One axial slice (133 of 279, counting up from the lowest) of an arterial-phase abdominal CT acquired with 120 kVp, kernel B31f; each pixel is 0.824 mm and the slice is 2.00 mm thick.
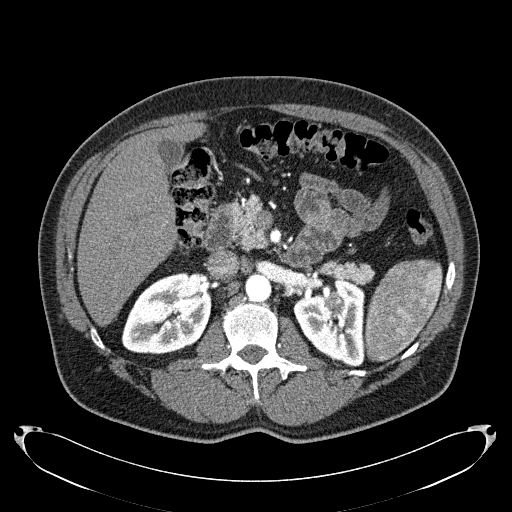
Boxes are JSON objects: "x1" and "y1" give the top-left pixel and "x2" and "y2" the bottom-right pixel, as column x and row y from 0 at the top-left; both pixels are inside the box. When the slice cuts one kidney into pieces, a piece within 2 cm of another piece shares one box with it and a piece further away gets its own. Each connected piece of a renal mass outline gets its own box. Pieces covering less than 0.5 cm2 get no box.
Two kidney boxes and one renal mass box on this slice; by box centre, from the image's left to its right: (1) Right kidney, box {"x1": 121, "y1": 272, "x2": 211, "y2": 354} (outlined area 5,526 px, about 37.5 cm2). (2) Left kidney, box {"x1": 293, "y1": 278, "x2": 365, "y2": 366} (outlined area 4,227 px, about 28.7 cm2). (3) Left renal mass, box {"x1": 324, "y1": 291, "x2": 344, "y2": 314} (outlined area 410 px, about 2.8 cm2).